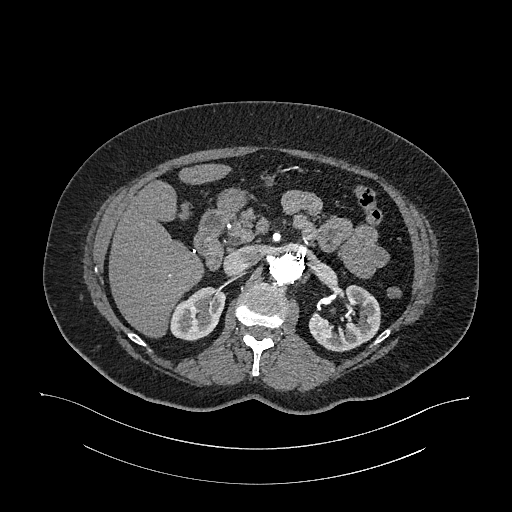
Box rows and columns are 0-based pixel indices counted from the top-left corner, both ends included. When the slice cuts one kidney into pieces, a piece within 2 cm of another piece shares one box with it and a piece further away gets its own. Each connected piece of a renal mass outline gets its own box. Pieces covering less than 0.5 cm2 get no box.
This is axial slice 699 of 987 (slice 1 is the lowest) of an arterial-phase abdominal CT with contrast; each pixel is 0.977 mm and the slice is 1.00 mm thick. Two kidney boxes on this slice; by box centre, from the image's left to its right: (1) Right kidney at rows 287–340, columns 170–225 (outlined area 2,167 px, about 20.7 cm2). (2) Box rows 285–352, columns 308–380: left kidney (outlined area 2,969 px, about 28.3 cm2). This slice carries no renal mass outline.
Scan settings: 120 kVp, I26f reconstruction kernel.